One axial slice (365 of 626, counting up from the lowest) of an arterial-phase abdominal CT acquired with 120 kVp, kernel I30f; each pixel is 0.703 mm and the slice is 1.00 mm thick.
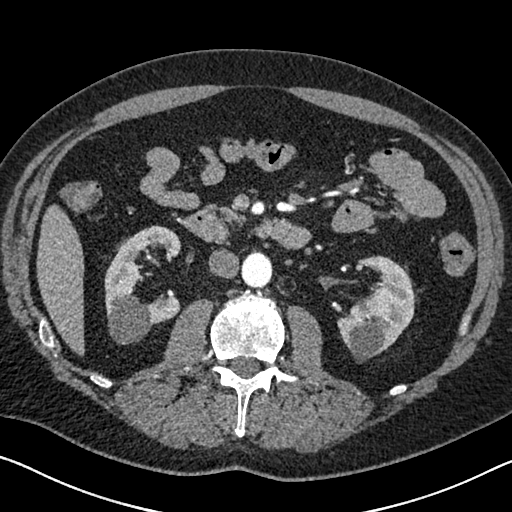
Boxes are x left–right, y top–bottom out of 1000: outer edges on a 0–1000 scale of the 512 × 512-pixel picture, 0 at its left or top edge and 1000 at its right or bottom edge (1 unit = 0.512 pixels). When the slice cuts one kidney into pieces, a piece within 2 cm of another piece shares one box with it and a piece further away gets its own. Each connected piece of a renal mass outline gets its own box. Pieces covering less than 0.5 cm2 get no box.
Boxed on this slice (two kidney boxes), listed by box centre from the image's left to its right: (1) Right kidney at x 203–355, y 439–674 out of 1000 (outlined area 5,517 px, about 27.3 cm2). (2) Left kidney, box x 656–811, y 498–709 out of 1000 (outlined area 5,076 px, about 25.1 cm2). No renal mass is outlined on this slice.